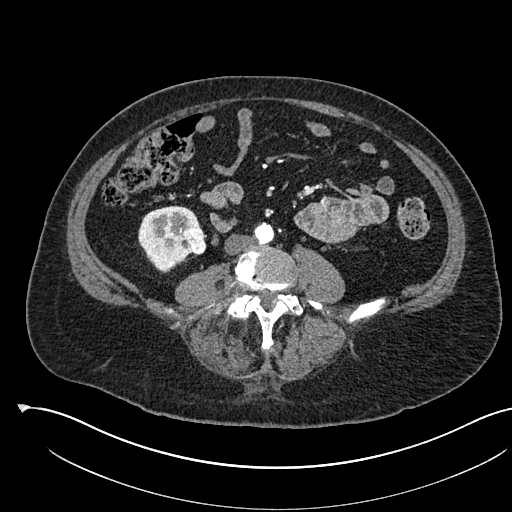
One axial slice (207 of 541, counting up from the lowest) of an arterial-phase abdominal CT acquired with 120 kVp, kernel I30f; each pixel is 0.834 mm and the slice is 1.00 mm thick.
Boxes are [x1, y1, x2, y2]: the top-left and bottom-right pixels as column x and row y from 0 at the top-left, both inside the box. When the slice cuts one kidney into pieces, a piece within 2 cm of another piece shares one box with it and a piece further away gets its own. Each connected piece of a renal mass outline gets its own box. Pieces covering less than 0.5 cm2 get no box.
One kidney box and one renal mass box on this slice; by box centre, from the image's left to its right: (1) Right kidney at [138, 205, 200, 273] (outlined area 2,764 px, about 19.2 cm2). (2) Box [180, 228, 206, 253]: right renal mass (outlined area 532 px, about 3.7 cm2).